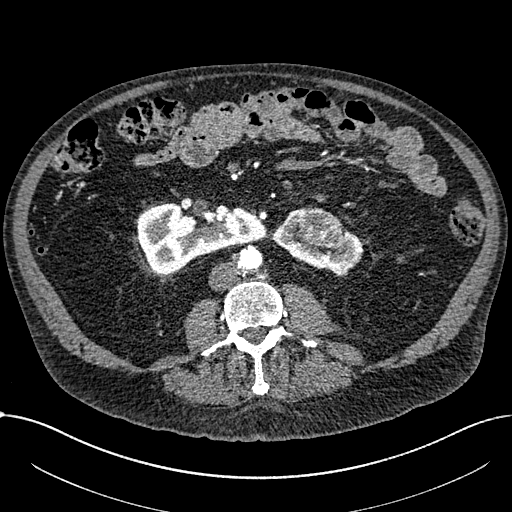
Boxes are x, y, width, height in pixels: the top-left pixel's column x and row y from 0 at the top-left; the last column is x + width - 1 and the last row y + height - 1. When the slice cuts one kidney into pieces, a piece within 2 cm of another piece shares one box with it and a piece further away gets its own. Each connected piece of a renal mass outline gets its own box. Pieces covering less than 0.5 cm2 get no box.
Slice 315/1059 of a contrast-enhanced abdominal CT in the arterial phase, counting up from the lowest; pixel size 0.811 mm, slice thickness 1.00 mm. Two kidney boxes and one renal mass box on this slice; by box centre, from the image's left to its right: (1) Right part of the midline-crossing kidney at x 138, y 202, width 130, height 72 (outlined area 6,127 px, about 40.3 cm2). (2) Left part of the midline-crossing kidney, box x 273, y 207, width 91, height 70 (outlined area 2,570 px, about 16.9 cm2). (3) Box x 296, y 212, width 49, height 38: renal mass (outlined area 1,449 px, about 9.5 cm2).
Tube voltage 100 kVp; convolution kernel I30f.